Contrast-enhanced abdominal CT, axial slice 79 of 99 (counted from the lowest slice); tube voltage 120 kVp, convolution kernel STANDARD; slices 5.00 mm thick, 0.938 mm per pixel.
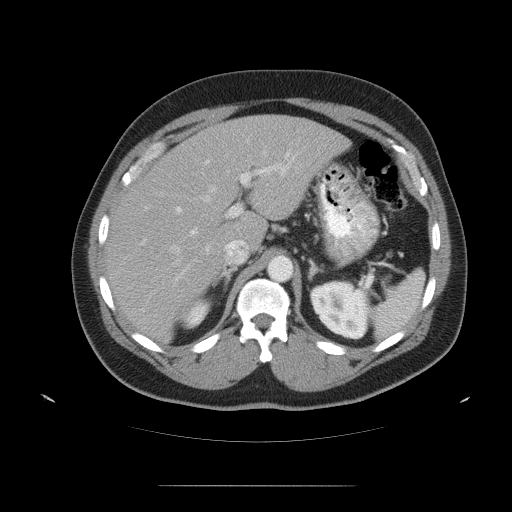
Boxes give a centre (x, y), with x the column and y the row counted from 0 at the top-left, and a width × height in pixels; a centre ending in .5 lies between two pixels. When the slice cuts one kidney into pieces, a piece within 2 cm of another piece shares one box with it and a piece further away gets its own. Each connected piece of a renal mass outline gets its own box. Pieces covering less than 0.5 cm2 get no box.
Two boxes on this slice (two kidney boxes), listed by box centre from the image's left to its right. (1) Right kidney, box centre (197, 313.5), 33 × 32 pixels (outlined area 569 px, about 5.0 cm2). (2) Left kidney in a box with centre (339.5, 309), 62 × 63 pixels (outlined area 2,831 px, about 24.9 cm2). This slice carries no renal mass outline.